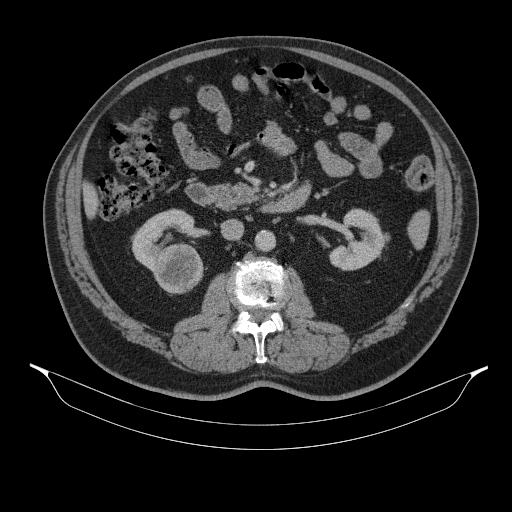
Axial slice 194 of 314 of a contrast-enhanced abdominal CT (slice 1 is the lowest), 130 kVp, kernel B31s; 2.50 mm slice thickness and 0.934 mm pixels.
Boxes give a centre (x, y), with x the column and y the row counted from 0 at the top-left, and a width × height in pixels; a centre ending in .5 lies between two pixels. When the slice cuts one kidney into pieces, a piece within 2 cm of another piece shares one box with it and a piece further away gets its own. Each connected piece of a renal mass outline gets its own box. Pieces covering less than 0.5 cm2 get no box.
Boxed on this slice (two kidney boxes and one renal mass box), listed by box centre from the image's left to its right: (1) Box centre (163, 240), 65 × 63 pixels: right kidney (outlined area 2,175 px, about 19.0 cm2). (2) Right renal mass in a box with centre (178, 268.5), 51 × 50 pixels (outlined area 2,008 px, about 17.5 cm2). (3) Left kidney in a box with centre (359, 239), 63 × 63 pixels (outlined area 2,404 px, about 21.0 cm2).